One axial slice (19 of 68, counting up from the lowest) of an arterial-phase abdominal CT acquired with 120 kVp, kernel B31f; each pixel is 0.961 mm and the slice is 5.00 mm thick.
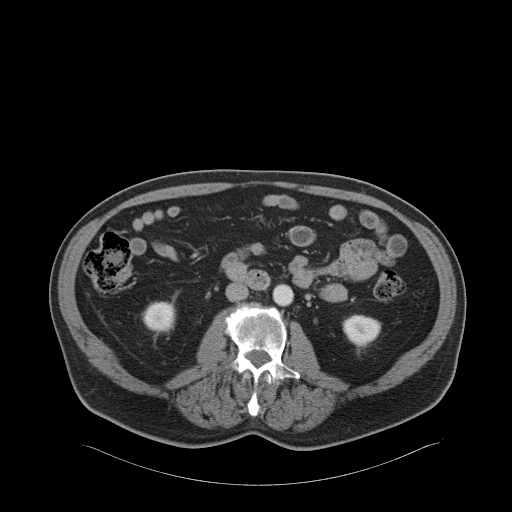
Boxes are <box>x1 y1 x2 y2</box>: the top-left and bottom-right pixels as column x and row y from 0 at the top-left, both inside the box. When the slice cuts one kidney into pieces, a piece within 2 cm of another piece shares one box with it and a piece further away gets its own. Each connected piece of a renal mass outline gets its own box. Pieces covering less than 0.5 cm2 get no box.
Two boxes on this slice (two kidney boxes), listed by box centre from the image's left to its right. (1) Right kidney: <box>141 301 175 331</box> (outlined area 873 px, about 8.1 cm2). (2) Left kidney: <box>342 314 381 345</box> (outlined area 961 px, about 8.9 cm2). No renal mass is outlined on this slice.